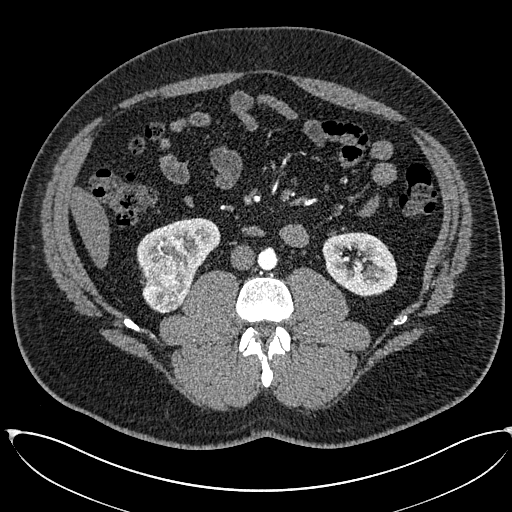
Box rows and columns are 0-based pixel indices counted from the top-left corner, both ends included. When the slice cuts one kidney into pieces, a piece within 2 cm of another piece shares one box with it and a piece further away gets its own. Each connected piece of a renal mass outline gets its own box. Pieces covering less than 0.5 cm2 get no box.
Slice 282/673 of a contrast-enhanced abdominal CT in the arterial phase, counting up from the lowest; pixel size 0.855 mm, slice thickness 1.00 mm. Three boxes on this slice (two kidney boxes and one renal mass box), listed by box centre from the image's left to its right. (1) Right renal mass, box rows 257–313, columns 142–193 (outlined area 2,162 px, about 15.8 cm2). (2) Right kidney at rows 218–279, columns 137–220 (outlined area 3,112 px, about 22.8 cm2). (3) Left kidney at rows 232–297, columns 322–396 (outlined area 3,633 px, about 26.6 cm2).
Acquired at 120 kVp and reconstructed with the I30f kernel.